One axial slice (492 of 665, counting up from the lowest) of an arterial-phase abdominal CT acquired with 100 kVp, kernel I26f; each pixel is 0.828 mm and the slice is 1.00 mm thick.
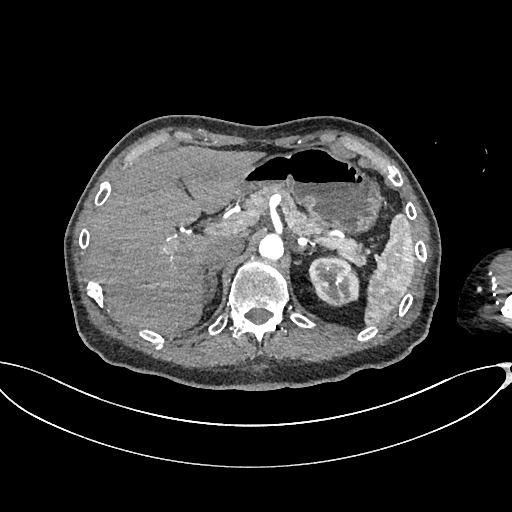
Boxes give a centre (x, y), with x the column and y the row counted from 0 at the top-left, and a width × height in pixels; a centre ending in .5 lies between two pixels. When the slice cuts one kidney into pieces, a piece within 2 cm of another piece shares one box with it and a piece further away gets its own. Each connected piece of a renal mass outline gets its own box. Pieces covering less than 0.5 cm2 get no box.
Box centre (333.5, 280.5), 52 × 52 pixels: left kidney (outlined area 2,058 px, about 14.1 cm2). No renal mass outline on this slice.